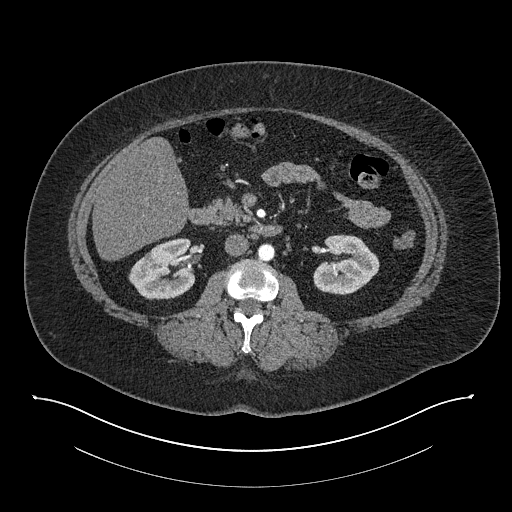
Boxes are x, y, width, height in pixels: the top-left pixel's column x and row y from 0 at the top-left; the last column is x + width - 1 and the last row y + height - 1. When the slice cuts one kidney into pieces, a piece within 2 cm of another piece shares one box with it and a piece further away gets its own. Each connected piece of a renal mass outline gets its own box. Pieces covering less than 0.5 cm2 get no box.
This is axial slice 438 of 673 (slice 1 is the lowest) of an arterial-phase abdominal CT with contrast; each pixel is 0.957 mm and the slice is 1.00 mm thick. Boxed on this slice (two kidney boxes), listed by box centre from the image's left to its right: (1) Right kidney, box x 128, y 238, width 68, height 62 (outlined area 3,087 px, about 28.3 cm2). (2) Left kidney, box x 313, y 234, width 67, height 61 (outlined area 2,934 px, about 26.9 cm2). No renal mass is outlined on this slice.
Acquired at 140 kVp and reconstructed with the I30f kernel.